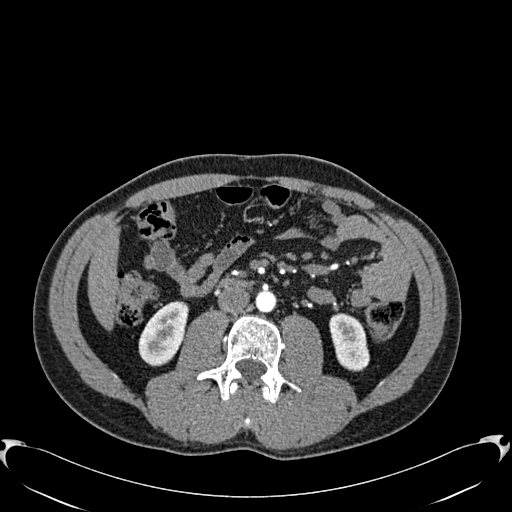
Axial slice 289 of 512 of a contrast-enhanced abdominal CT in the arterial phase (slice 1 is the lowest), 120 kVp, kernel B30f; 1.00 mm slice thickness and 0.771 mm pixels.
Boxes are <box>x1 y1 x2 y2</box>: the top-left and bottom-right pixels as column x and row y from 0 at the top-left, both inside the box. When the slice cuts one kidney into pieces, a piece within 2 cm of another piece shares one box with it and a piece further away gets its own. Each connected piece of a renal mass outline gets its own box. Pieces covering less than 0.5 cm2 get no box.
Two kidney boxes on this slice; by box centre, from the image's left to its right: (1) Right kidney at <box>138 301 188 366</box> (outlined area 2,304 px, about 13.7 cm2). (2) At <box>329 313 369 371</box>: left kidney (outlined area 1,788 px, about 10.6 cm2). This slice carries no renal mass outline.